Arterial-phase contrast-enhanced abdominal CT, axial slice 459 of 723 (counted from the lowest slice); tube voltage 120 kVp, convolution kernel B30f; slices 1.00 mm thick, 0.895 mm per pixel.
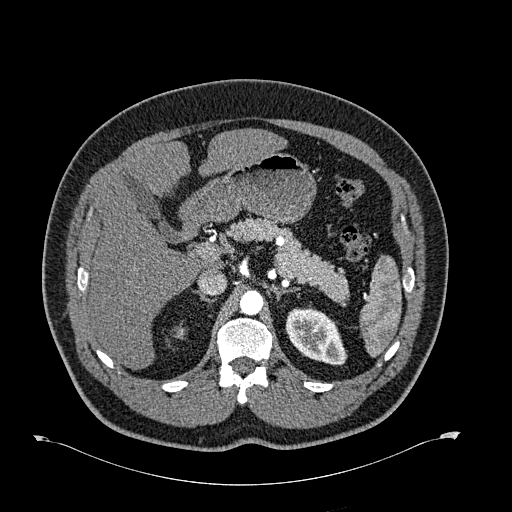
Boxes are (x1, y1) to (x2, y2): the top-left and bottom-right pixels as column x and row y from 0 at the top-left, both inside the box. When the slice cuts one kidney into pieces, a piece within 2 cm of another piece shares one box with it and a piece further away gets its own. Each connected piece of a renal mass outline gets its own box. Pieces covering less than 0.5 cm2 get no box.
Boxed on this slice (two kidney boxes), listed by box centre from the image's left to its right: (1) Box (174, 327) to (184, 336): right kidney (outlined area 88 px, about 0.7 cm2). (2) Left kidney from (285, 307) to (347, 365) (outlined area 2,524 px, about 20.2 cm2). This slice carries no renal mass outline.